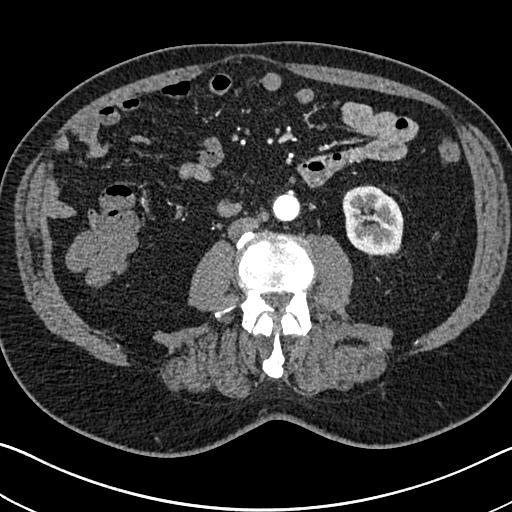
Axial slice 315 of 705 of a contrast-enhanced abdominal CT in the arterial phase (slice 1 is the lowest), 120 kVp, kernel I30f; 1.00 mm slice thickness and 0.703 mm pixels.
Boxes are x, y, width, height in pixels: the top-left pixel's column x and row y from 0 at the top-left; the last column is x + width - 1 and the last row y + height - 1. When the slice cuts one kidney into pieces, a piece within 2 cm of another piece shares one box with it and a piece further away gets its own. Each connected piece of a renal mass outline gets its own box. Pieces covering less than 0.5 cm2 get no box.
Box x 342, y 185, width 62, height 71: left kidney (outlined area 3,498 px, about 17.3 cm2). No renal mass outline on this slice.